One axial slice (35 of 53, counting up from the lowest) of an arterial-phase abdominal CT acquired with 120 kVp, kernel B30f; each pixel is 0.547 mm and the slice is 3.00 mm thick.
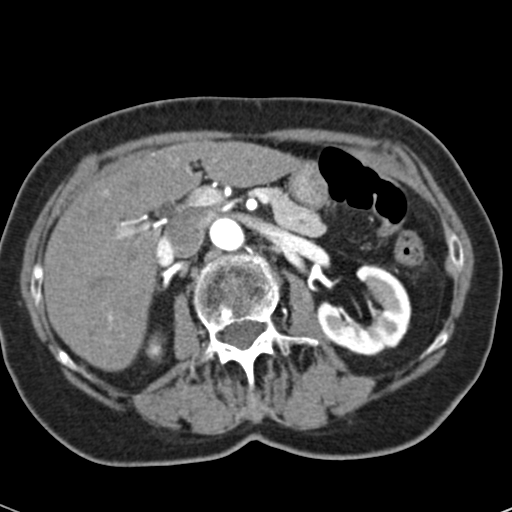
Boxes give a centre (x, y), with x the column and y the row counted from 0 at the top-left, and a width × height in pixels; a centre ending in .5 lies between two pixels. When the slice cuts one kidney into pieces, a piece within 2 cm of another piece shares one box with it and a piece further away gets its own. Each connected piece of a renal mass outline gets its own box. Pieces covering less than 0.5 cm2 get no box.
Two kidney boxes on this slice; by box centre, from the image's left to its right: (1) Right kidney, box centre (153.5, 347), 24 × 31 pixels (outlined area 421 px, about 1.3 cm2). (2) Box centre (363.5, 309), 96 × 93 pixels: left kidney (outlined area 5,052 px, about 15.1 cm2). No renal mass is outlined on this slice.